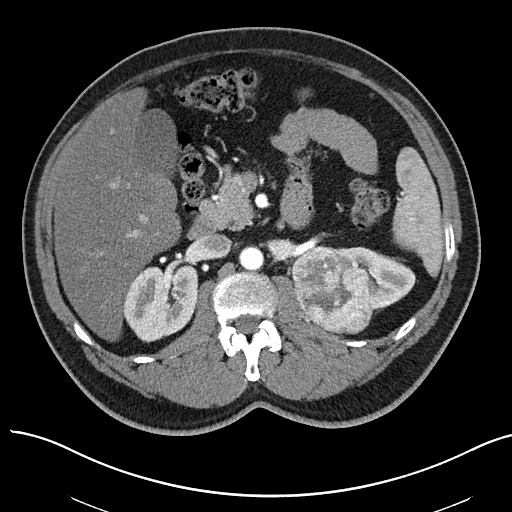
One axial slice (40 of 97, counting up from the lowest) of an arterial-phase abdominal CT acquired with 100 kVp, kernel I40f; each pixel is 0.797 mm and the slice is 3.00 mm thick.
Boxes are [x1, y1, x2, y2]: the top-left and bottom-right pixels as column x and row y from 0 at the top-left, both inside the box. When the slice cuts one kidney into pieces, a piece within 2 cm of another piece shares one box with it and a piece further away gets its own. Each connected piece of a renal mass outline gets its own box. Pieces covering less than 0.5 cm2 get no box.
Boxed on this slice (two kidney boxes and one renal mass box), listed by box centre from the image's left to its right: (1) Right kidney at [122, 263, 198, 342] (outlined area 4,647 px, about 29.5 cm2). (2) Box [290, 245, 373, 336]: left renal mass (outlined area 5,729 px, about 36.4 cm2). (3) Left kidney at [341, 246, 415, 311] (outlined area 2,358 px, about 15.0 cm2).